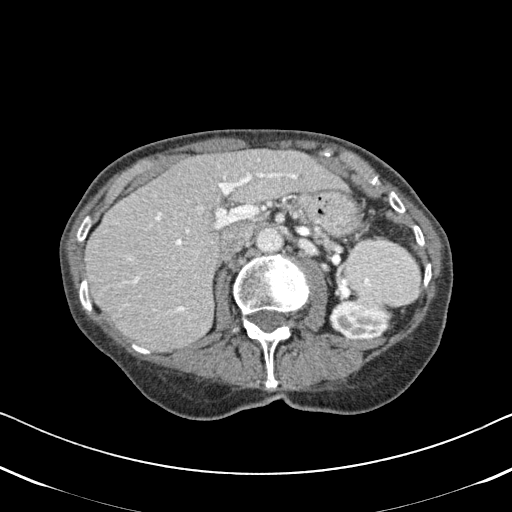
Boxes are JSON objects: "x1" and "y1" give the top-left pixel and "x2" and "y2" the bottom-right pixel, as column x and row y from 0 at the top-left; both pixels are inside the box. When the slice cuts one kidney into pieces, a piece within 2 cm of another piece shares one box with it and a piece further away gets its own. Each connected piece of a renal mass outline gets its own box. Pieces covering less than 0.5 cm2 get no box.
This is axial slice 314 of 620 (slice 1 is the lowest) of an arterial-phase abdominal CT with contrast; each pixel is 0.637 mm and the slice is 2.00 mm thick. Box {"x1": 329, "y1": 299, "x2": 393, "y2": 341}: left kidney (outlined area 2,008 px, about 8.1 cm2). No renal mass outline on this slice.
Scan settings: 120 kVp, B31f reconstruction kernel.